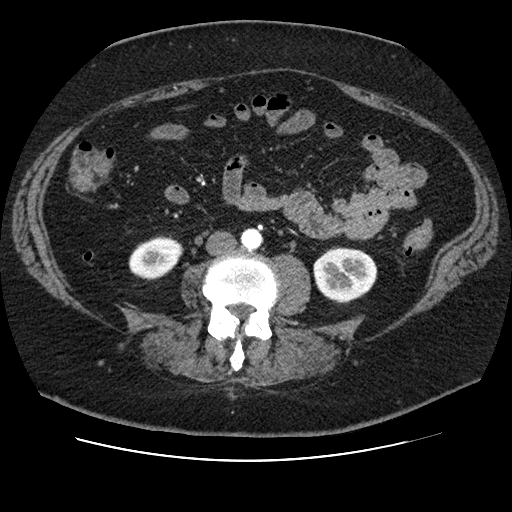
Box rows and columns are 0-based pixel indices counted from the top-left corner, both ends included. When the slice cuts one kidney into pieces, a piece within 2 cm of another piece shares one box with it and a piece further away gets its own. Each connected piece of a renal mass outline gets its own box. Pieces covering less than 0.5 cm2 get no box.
Slice 26/106 of a contrast-enhanced abdominal CT in the arterial phase, counting up from the lowest; pixel size 0.742 mm, slice thickness 2.50 mm. Boxed on this slice (two kidney boxes), listed by box centre from the image's left to its right: (1) Right kidney at rows 235–280, columns 128–183 (outlined area 1,786 px, about 9.8 cm2). (2) Left kidney at rows 246–303, columns 313–377 (outlined area 2,843 px, about 15.7 cm2). No renal mass is outlined on this slice.
Tube voltage 120 kVp; convolution kernel STANDARD.